Abdominal CT with intravenous contrast, axial plane, 120 kVp, kernel B30f. Slice 297/433 from the bottom of the scan; thickness 1.00 mm; pixel size 0.672 mm.
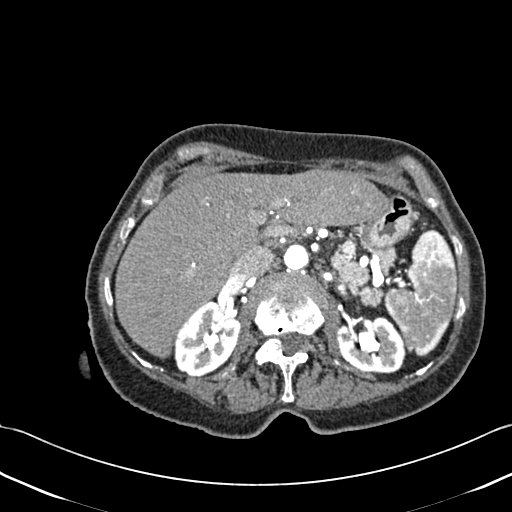
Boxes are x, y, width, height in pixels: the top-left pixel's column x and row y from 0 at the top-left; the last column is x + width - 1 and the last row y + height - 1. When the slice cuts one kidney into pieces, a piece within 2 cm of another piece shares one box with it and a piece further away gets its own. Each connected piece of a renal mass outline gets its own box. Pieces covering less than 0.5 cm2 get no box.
Two boxes on this slice (two kidney boxes), listed by box centre from the image's left to its right. (1) Box x 173, y 300, width 67, height 77: right kidney (outlined area 3,558 px, about 16.1 cm2). (2) Box x 336, y 315, width 71, height 59: left kidney (outlined area 3,127 px, about 14.1 cm2). This slice carries no renal mass outline.